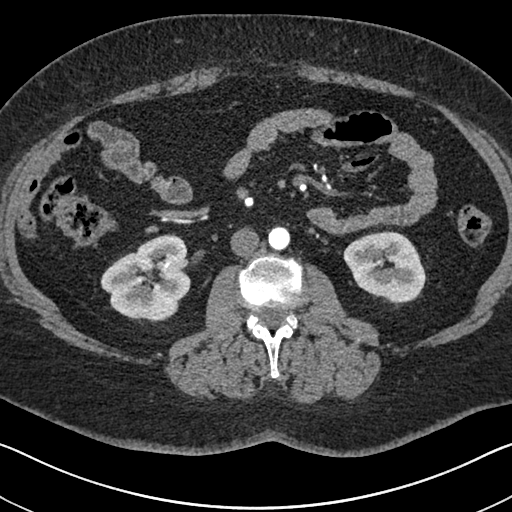
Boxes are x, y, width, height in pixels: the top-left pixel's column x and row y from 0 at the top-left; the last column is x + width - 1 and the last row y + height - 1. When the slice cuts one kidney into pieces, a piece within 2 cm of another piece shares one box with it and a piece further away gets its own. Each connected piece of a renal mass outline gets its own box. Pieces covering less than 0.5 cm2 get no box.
Slice 340/591 of a contrast-enhanced abdominal CT in the arterial phase, counting up from the lowest; pixel size 0.703 mm, slice thickness 1.00 mm. Two boxes on this slice (two kidney boxes), listed by box centre from the image's left to its right. (1) Right kidney at x 100, y 233, width 91, height 90 (outlined area 5,684 px, about 28.1 cm2). (2) Left kidney at x 343, y 231, width 83, height 72 (outlined area 4,387 px, about 21.7 cm2). No renal mass is outlined on this slice.
Acquired at 140 kVp and reconstructed with the I30f kernel.